Axial slice 17 of 76 of a contrast-enhanced abdominal CT (slice 1 is the lowest), 120 kVp, kernel STANDARD; 2.50 mm slice thickness and 0.586 mm pixels.
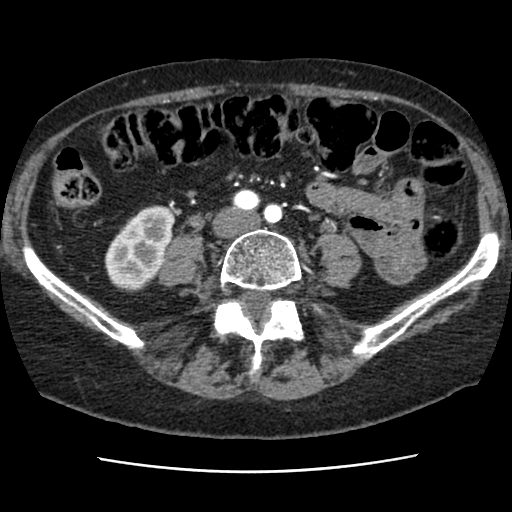
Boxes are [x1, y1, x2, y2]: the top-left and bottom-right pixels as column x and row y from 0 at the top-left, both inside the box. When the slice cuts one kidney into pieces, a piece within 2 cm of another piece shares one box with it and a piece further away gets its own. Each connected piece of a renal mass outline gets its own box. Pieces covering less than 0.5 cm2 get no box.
Right kidney at [104, 205, 174, 292] (outlined area 4,174 px, about 14.3 cm2). No renal mass outline on this slice.